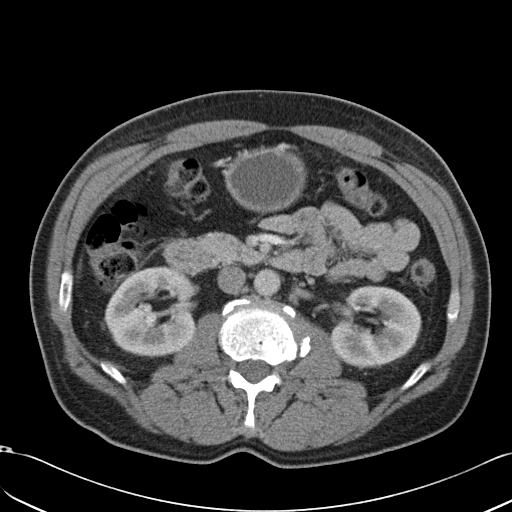
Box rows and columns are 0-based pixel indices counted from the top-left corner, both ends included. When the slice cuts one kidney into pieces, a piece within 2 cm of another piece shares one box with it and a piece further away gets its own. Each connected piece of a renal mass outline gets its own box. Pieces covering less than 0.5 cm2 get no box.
Arterial-phase contrast-enhanced abdominal CT, axial slice 18 of 49 (counted from the lowest slice); 5.00 mm thick, 0.691 mm per pixel. Two kidney boxes on this slice; by box centre, from the image's left to its right: (1) Box rows 266–357, columns 104–197: right kidney (outlined area 6,470 px, about 30.9 cm2). (2) Left kidney, box rows 285–369, columns 331–421 (outlined area 5,522 px, about 26.4 cm2). This slice carries no renal mass outline.
Acquired at 120 kVp and reconstructed with the B31f kernel.